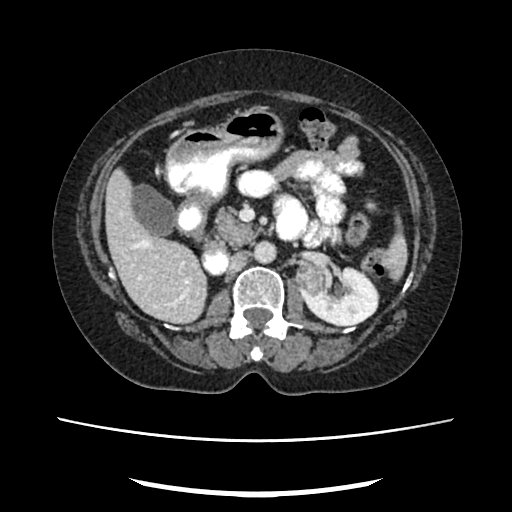
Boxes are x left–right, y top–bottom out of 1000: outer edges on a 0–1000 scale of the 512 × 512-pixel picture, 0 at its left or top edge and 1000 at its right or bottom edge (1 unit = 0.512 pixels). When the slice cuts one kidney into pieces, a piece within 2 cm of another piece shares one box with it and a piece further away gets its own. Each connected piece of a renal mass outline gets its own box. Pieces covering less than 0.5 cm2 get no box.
This is axial slice 139 of 207 (slice 1 is the lowest) of an arterial-phase abdominal CT with contrast; each pixel is 0.741 mm and the slice is 2.00 mm thick. Two boxes on this slice (one kidney box and one renal mass box), listed by box centre from the image's left to its right. (1) Left renal mass, box x 576–631, y 516–576 out of 1000 (outlined area 608 px, about 3.3 cm2). (2) Left kidney, box x 580–742, y 514–639 out of 1000 (outlined area 3,409 px, about 18.7 cm2).
Acquired at 120 kVp and reconstructed with the FC18 kernel.